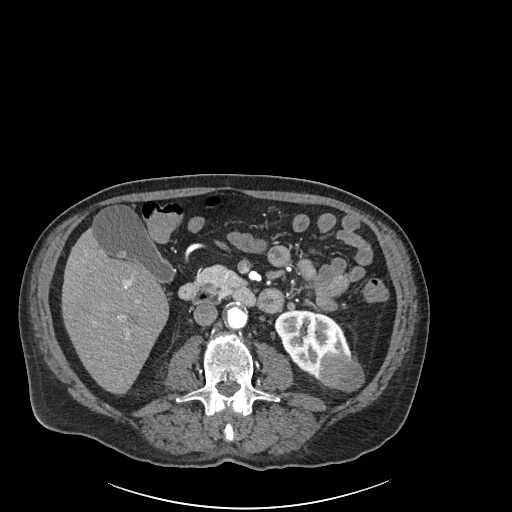
Axial slice 88 of 261 of a contrast-enhanced abdominal CT in the arterial phase (slice 1 is the lowest), 120 kVp, kernel I30f; 2.00 mm slice thickness and 0.939 mm pixels.
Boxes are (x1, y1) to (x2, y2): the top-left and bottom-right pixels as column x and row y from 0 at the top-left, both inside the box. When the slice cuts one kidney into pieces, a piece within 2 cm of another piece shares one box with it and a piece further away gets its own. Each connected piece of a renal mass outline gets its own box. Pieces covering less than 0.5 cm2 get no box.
One kidney box and one renal mass box on this slice; by box centre, from the image's left to its right: (1) Left kidney, box (275, 310) to (352, 379) (outlined area 3,148 px, about 27.8 cm2). (2) Box (318, 353) to (364, 391): left renal mass (outlined area 1,430 px, about 12.6 cm2).